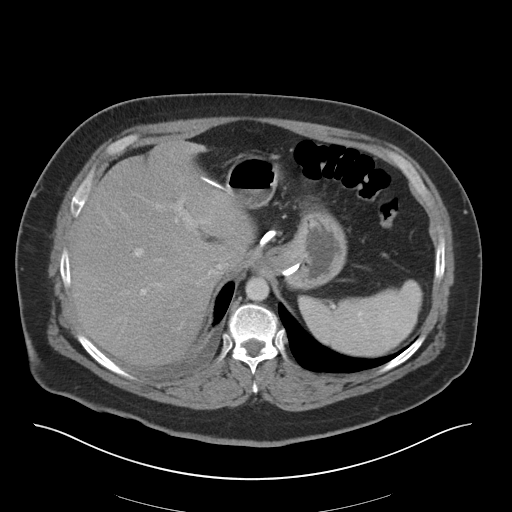
Axial slice 35 of 36 of a contrast-enhanced abdominal CT in the arterial phase (slice 1 is the lowest), 140 kVp, kernel I30f; 5.00 mm slice thickness and 0.906 mm pixels.
This slice carries no outline: it lies beyond the outlined kidneys and beyond every outlined renal mass. Other organs are not outlined in this scan.